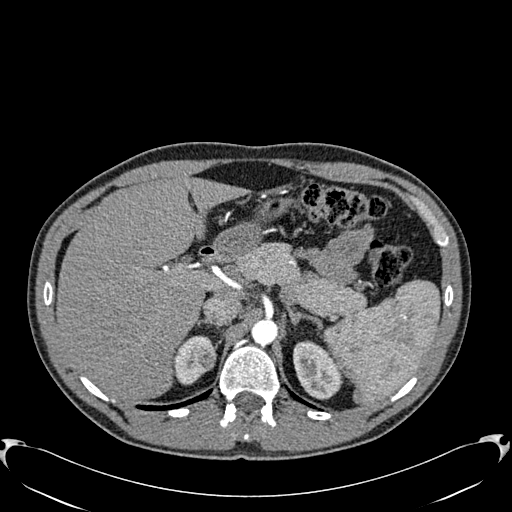
Axial slice 439 of 512 of a contrast-enhanced abdominal CT in the arterial phase (slice 1 is the lowest), 120 kVp, kernel B30f; 1.00 mm slice thickness and 0.771 mm pixels.
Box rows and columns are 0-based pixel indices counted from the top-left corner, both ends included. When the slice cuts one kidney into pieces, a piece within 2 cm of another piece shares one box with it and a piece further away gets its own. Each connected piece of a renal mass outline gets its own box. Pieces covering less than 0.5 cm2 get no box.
Boxed on this slice (two kidney boxes and one renal mass box), listed by box centre from the image's left to its right: (1) Box rows 335–385, columns 173–213: right kidney (outlined area 1,219 px, about 7.3 cm2). (2) Right renal mass at rows 350–370, columns 197–215 (outlined area 298 px, about 1.8 cm2). (3) Box rows 340–399, columns 293–343: left kidney (outlined area 2,104 px, about 12.5 cm2).